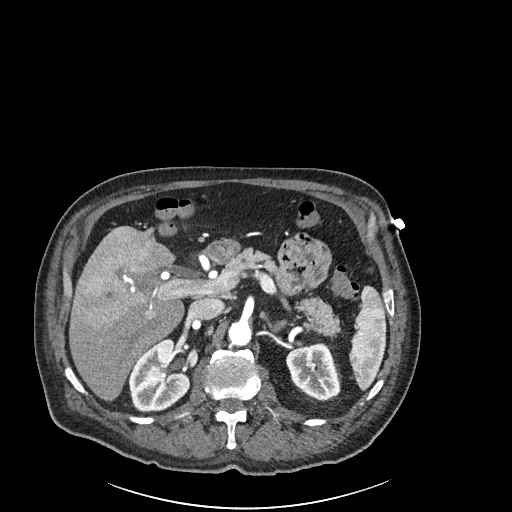
Axial slice 143 of 261 of a contrast-enhanced abdominal CT in the arterial phase (slice 1 is the lowest), 120 kVp, kernel I30f; 2.00 mm slice thickness and 0.939 mm pixels.
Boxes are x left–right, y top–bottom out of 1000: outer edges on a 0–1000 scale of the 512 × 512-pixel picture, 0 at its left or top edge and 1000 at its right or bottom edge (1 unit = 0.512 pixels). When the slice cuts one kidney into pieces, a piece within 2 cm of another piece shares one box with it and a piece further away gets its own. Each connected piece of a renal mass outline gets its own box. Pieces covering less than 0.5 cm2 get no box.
Boxed on this slice (two kidney boxes), listed by box centre from the image's left to its right: (1) Box x 250–373, y 660–807 out of 1000: right kidney (outlined area 3,333 px, about 29.4 cm2). (2) Left kidney at x 559–666, y 672–783 out of 1000 (outlined area 2,257 px, about 19.9 cm2). No renal mass is outlined on this slice.